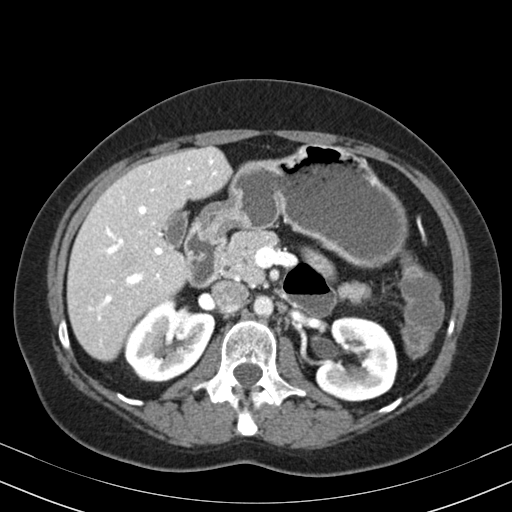
Arterial-phase contrast-enhanced abdominal CT, axial slice 118 of 164 (counted from the lowest slice); tube voltage 130 kVp, convolution kernel B30s; slices 3.00 mm thick, 0.664 mm per pixel.
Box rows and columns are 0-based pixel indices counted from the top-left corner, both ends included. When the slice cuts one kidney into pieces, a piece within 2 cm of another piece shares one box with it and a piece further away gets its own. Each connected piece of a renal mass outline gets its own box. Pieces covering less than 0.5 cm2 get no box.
Two boxes on this slice (two kidney boxes), listed by box centre from the image's left to its right. (1) Right kidney at rows 300–382, columns 124–215 (outlined area 5,282 px, about 23.3 cm2). (2) Left kidney at rows 316–401, columns 315–397 (outlined area 5,432 px, about 24.0 cm2). This slice carries no renal mass outline.